Abdominal CT with intravenous contrast, arterial phase, axial plane, 100 kVp, kernel I26f. Slice 368/665 from the bottom of the scan; thickness 1.00 mm; pixel size 0.828 mm.
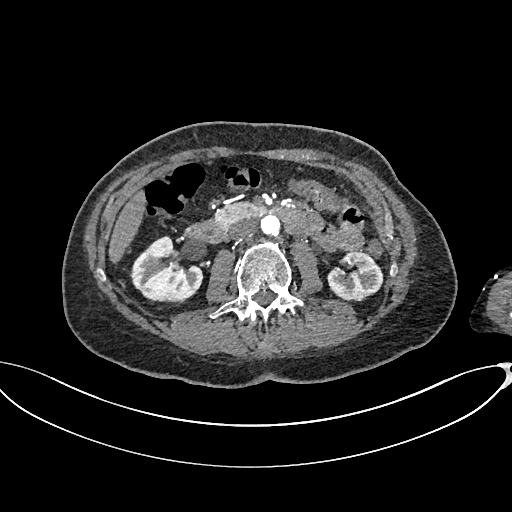
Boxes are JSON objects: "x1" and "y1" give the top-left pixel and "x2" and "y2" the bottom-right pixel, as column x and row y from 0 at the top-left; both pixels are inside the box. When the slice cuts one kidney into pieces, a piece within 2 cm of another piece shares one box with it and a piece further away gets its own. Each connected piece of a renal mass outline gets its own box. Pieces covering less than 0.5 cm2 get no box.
Boxed on this slice (two kidney boxes), listed by box centre from the image's left to its right: (1) Box {"x1": 129, "y1": 236, "x2": 203, "y2": 305}: right kidney (outlined area 3,372 px, about 23.1 cm2). (2) Left kidney at {"x1": 327, "y1": 251, "x2": 383, "y2": 301} (outlined area 2,074 px, about 14.2 cm2). No renal mass outline on this slice.